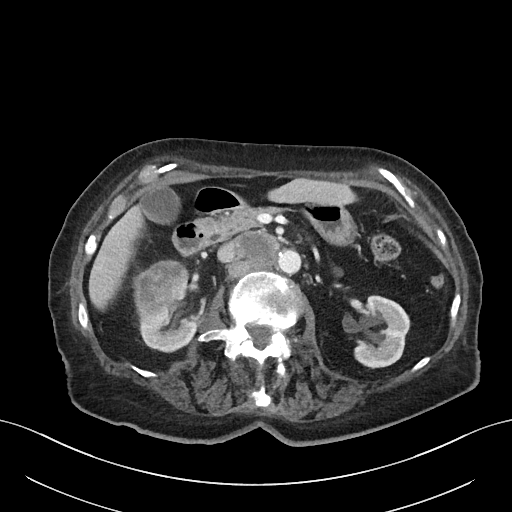
Abdominal CT with intravenous contrast, axial plane, 100 kVp, kernel I40f. Slice 33/76 from the bottom of the scan; thickness 3.00 mm; pixel size 0.768 mm.
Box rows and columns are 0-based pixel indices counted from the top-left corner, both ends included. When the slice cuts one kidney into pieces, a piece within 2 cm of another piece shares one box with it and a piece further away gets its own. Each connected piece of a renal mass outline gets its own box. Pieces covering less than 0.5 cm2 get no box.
Three boxes on this slice (two kidney boxes and one renal mass box), listed by box centre from the image's left to its right. (1) Right renal mass at rows 259–326, columns 132–191 (outlined area 2,815 px, about 16.6 cm2). (2) Box rows 282–352, columns 138–198: right kidney (outlined area 1,961 px, about 11.6 cm2). (3) Left kidney, box rows 295–367, columns 353–410 (outlined area 3,024 px, about 17.8 cm2).